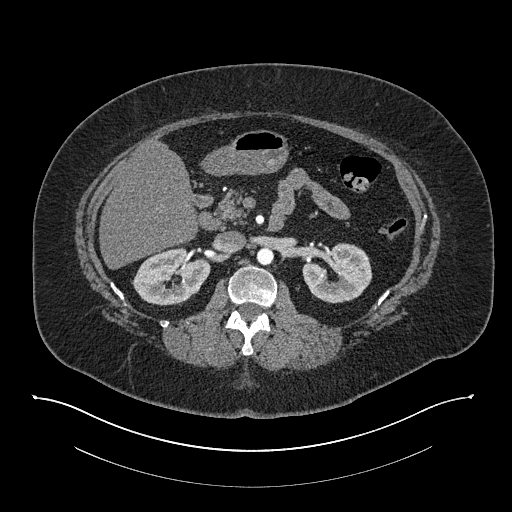
Axial slice 486 of 673 of a contrast-enhanced abdominal CT in the arterial phase (slice 1 is the lowest), 140 kVp, kernel I30f; 1.00 mm slice thickness and 0.957 mm pixels.
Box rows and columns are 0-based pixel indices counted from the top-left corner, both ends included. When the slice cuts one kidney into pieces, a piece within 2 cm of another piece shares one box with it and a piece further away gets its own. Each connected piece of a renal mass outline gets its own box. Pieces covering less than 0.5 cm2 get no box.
Boxed on this slice (two kidney boxes), listed by box centre from the image's left to its right: (1) Right kidney, box rows 246–305, columns 132–210 (outlined area 3,295 px, about 30.2 cm2). (2) Box rows 242–303, columns 302–372: left kidney (outlined area 3,052 px, about 28.0 cm2). No renal mass outline on this slice.